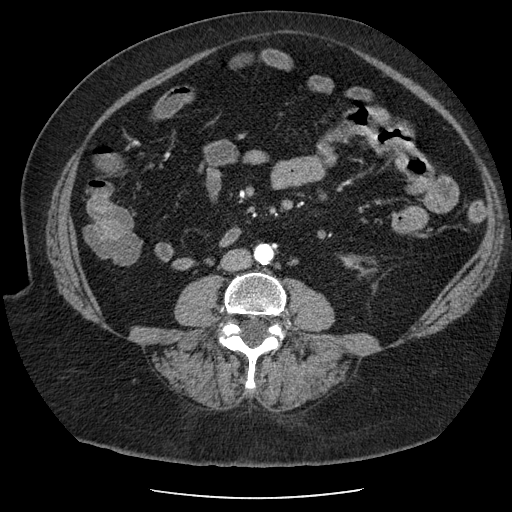
Axial slice 96 of 186 of a contrast-enhanced abdominal CT in the arterial phase (slice 1 is the lowest), 120 kVp, kernel STANDARD; 2.50 mm slice thickness and 0.742 mm pixels.
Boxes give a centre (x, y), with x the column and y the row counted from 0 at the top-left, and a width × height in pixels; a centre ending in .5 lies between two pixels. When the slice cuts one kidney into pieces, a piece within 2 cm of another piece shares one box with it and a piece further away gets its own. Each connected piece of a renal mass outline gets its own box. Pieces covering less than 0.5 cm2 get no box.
Left kidney, box centre (355, 264), 23 × 17 pixels (outlined area 224 px, about 1.2 cm2). No renal mass outline on this slice.